Abdominal CT with intravenous contrast, arterial phase, axial plane, 120 kVp, kernel B30f. Slice 449/723 from the bottom of the scan; thickness 1.00 mm; pixel size 0.895 mm.
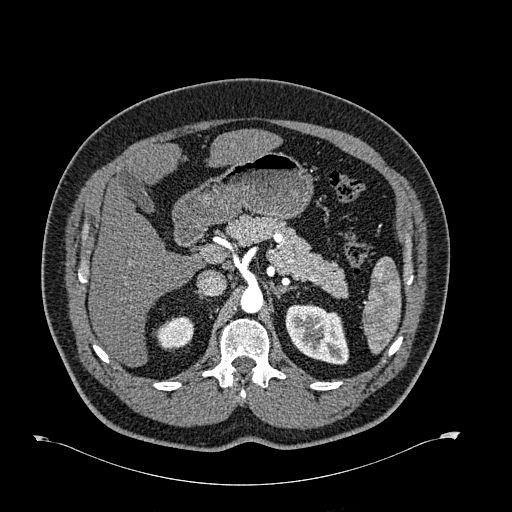
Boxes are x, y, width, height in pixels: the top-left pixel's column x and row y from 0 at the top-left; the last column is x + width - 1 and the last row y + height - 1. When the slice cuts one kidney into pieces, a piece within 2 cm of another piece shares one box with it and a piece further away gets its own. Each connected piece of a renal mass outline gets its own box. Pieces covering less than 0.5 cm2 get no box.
Two kidney boxes on this slice; by box centre, from the image's left to its right: (1) Box x 153, y 316, width 42, height 34: right kidney (outlined area 982 px, about 7.9 cm2). (2) Left kidney, box x 285, y 303, width 64, height 62 (outlined area 2,900 px, about 23.2 cm2). No renal mass is outlined on this slice.